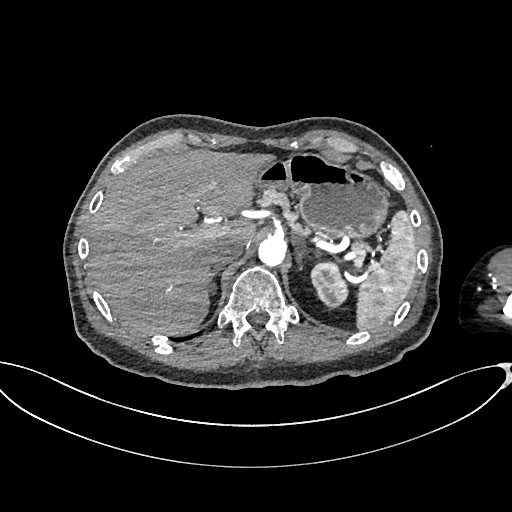
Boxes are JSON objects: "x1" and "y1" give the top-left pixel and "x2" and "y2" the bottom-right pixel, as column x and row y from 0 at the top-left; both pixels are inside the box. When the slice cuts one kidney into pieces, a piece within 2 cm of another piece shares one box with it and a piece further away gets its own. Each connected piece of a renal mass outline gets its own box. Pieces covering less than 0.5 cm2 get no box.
Arterial-phase contrast-enhanced abdominal CT, axial slice 508 of 665 (counted from the lowest slice); 1.00 mm thick, 0.828 mm per pixel. Left kidney at {"x1": 310, "y1": 260, "x2": 348, "y2": 309} (outlined area 1,356 px, about 9.3 cm2). No renal mass is outlined on this slice.
Tube voltage 100 kVp; convolution kernel I26f.